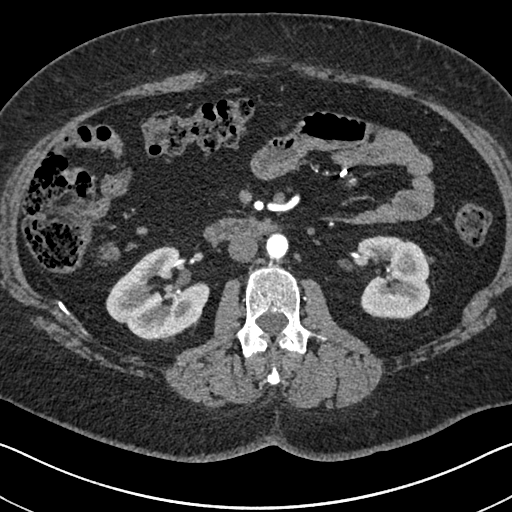
Arterial-phase contrast-enhanced abdominal CT, axial slice 376 of 591 (counted from the lowest slice); tube voltage 140 kVp, convolution kernel I30f; slices 1.00 mm thick, 0.703 mm per pixel.
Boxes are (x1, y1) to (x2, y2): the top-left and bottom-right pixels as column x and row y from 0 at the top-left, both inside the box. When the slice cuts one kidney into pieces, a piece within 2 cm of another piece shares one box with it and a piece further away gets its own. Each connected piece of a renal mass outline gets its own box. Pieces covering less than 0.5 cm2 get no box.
Boxed on this slice (two kidney boxes), listed by box centre from the image's left to its right: (1) Box (106, 246) to (210, 340): right kidney (outlined area 6,319 px, about 31.2 cm2). (2) Box (355, 235) to (430, 319): left kidney (outlined area 4,898 px, about 24.2 cm2). This slice carries no renal mass outline.